One axial slice (557 of 673, counting up from the lowest) of an arterial-phase abdominal CT acquired with 140 kVp, kernel I30f; each pixel is 0.957 mm and the slice is 1.00 mm thick.
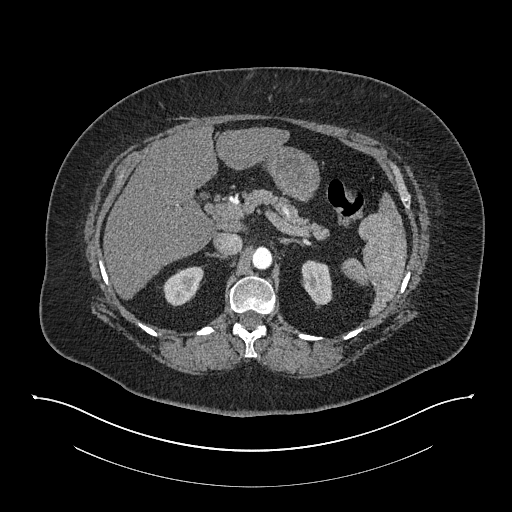
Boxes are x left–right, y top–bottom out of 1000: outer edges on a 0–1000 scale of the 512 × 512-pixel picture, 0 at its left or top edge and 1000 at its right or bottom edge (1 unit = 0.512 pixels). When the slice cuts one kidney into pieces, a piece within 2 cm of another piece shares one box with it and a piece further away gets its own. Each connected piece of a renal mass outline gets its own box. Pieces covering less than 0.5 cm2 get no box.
Boxed on this slice (two kidney boxes), listed by box centre from the image's left to its right: (1) Box x 318–398, y 520–600 out of 1000: right kidney (outlined area 1,158 px, about 10.6 cm2). (2) Left kidney at x 588–650, y 508–602 out of 1000 (outlined area 1,133 px, about 10.4 cm2). No renal mass outline on this slice.